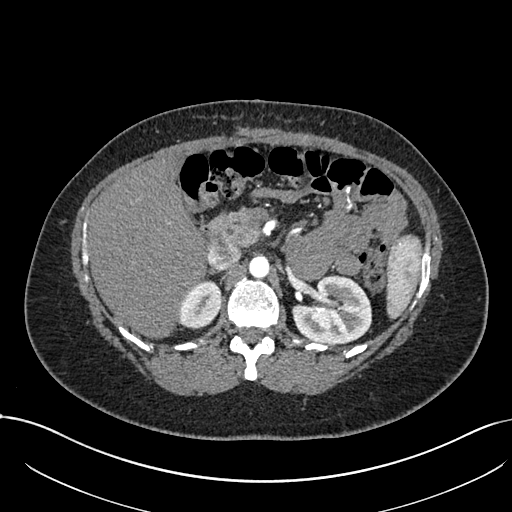
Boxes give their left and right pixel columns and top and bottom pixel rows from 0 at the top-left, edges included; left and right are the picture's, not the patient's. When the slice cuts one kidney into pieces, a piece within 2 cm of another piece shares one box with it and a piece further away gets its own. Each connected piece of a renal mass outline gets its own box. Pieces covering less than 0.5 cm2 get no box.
Slice 480/738 of a contrast-enhanced abdominal CT in the arterial phase, counting up from the lowest; pixel size 0.789 mm, slice thickness 1.00 mm. Boxed on this slice (two kidney boxes), listed by box centre from the image's left to its right: (1) Right kidney in the box with left 180, top 280, right 220, bottom 329 (outlined area 1,561 px, about 9.7 cm2). (2) Box with left 291, top 274, right 372, bottom 344: left kidney (outlined area 4,220 px, about 26.3 cm2). No renal mass is outlined on this slice.
Acquired at 120 kVp and reconstructed with the I30f kernel.